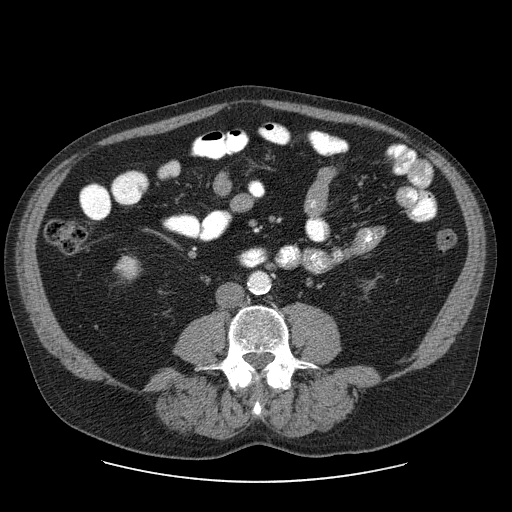
Abdominal CT with intravenous contrast, axial plane, 120 kVp, kernel STANDARD. Slice 14/103 from the bottom of the scan; thickness 2.50 mm; pixel size 0.820 mm.
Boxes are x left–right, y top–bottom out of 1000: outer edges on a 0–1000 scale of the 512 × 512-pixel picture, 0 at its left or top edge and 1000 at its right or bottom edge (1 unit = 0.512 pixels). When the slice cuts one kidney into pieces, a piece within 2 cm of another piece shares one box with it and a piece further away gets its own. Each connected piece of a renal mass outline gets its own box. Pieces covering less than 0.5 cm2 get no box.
Two kidney boxes on this slice; by box centre, from the image's left to its right: (1) Right kidney, box x 223–277, y 498–551 out of 1000 (outlined area 519 px, about 3.5 cm2). (2) Left kidney, box x 709–732, y 549–568 out of 1000 (outlined area 90 px, about 0.6 cm2). No renal mass is outlined on this slice.